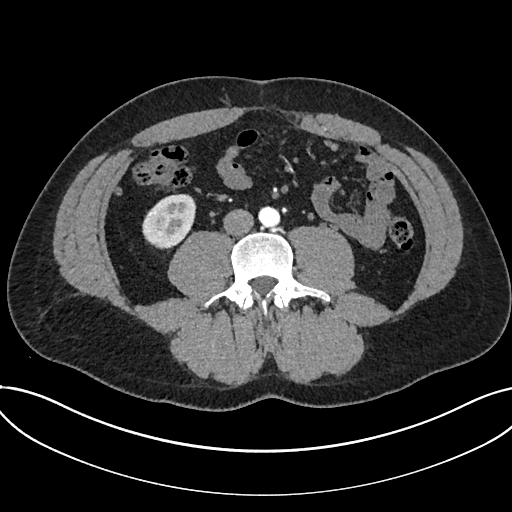
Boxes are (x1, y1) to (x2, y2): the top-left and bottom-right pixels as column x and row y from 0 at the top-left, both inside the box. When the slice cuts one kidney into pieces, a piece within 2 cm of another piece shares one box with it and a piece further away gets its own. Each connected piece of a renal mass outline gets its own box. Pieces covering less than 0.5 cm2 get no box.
Slice 286/735 of a contrast-enhanced abdominal CT in the arterial phase, counting up from the lowest; pixel size 0.789 mm, slice thickness 1.00 mm. Kidney, box (142, 194) to (196, 249) (outlined area 2,260 px, about 14.1 cm2). This slice carries no renal mass outline.
Tube voltage 120 kVp; convolution kernel I30f.